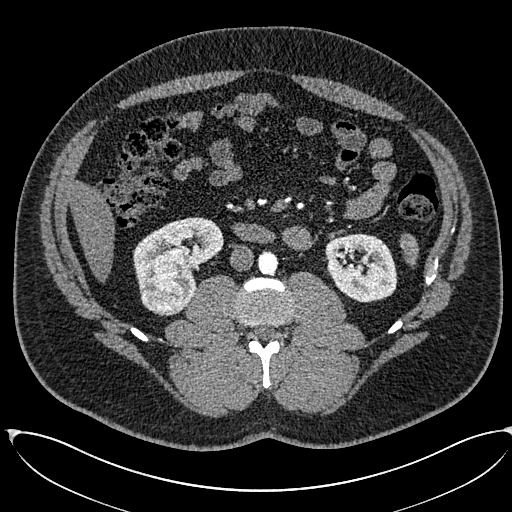
One axial slice (298 of 673, counting up from the lowest) of an arterial-phase abdominal CT acquired with 120 kVp, kernel I30f; each pixel is 0.855 mm and the slice is 1.00 mm thick.
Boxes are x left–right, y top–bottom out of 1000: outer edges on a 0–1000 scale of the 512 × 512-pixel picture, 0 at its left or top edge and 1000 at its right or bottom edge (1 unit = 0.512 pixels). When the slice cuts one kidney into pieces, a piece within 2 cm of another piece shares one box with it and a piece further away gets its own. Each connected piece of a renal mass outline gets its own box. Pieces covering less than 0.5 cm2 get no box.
Three boxes on this slice (two kidney boxes and one renal mass box), listed by box centre from the image's left to its right. (1) Right renal mass, box x 271–379, y 482–619 out of 1000 (outlined area 2,753 px, about 20.1 cm2). (2) Right kidney at x 260–438, y 424–568 out of 1000 (outlined area 3,219 px, about 23.6 cm2). (3) Box x 635–777, y 455–592 out of 1000: left kidney (outlined area 3,921 px, about 28.7 cm2).